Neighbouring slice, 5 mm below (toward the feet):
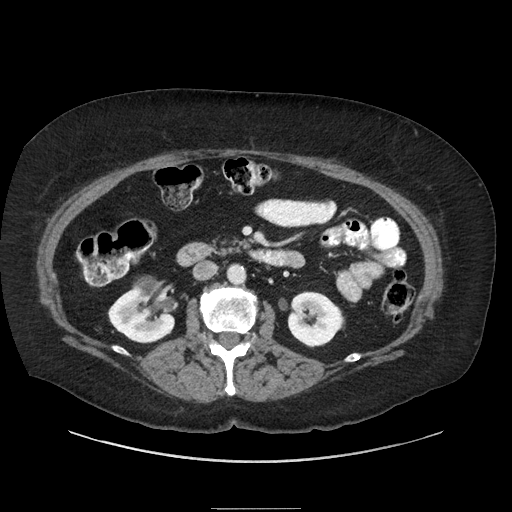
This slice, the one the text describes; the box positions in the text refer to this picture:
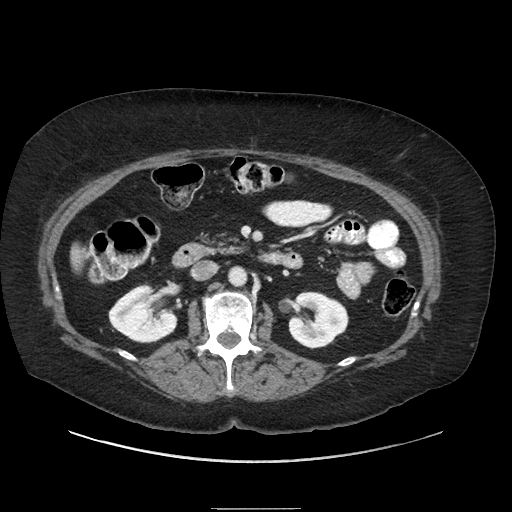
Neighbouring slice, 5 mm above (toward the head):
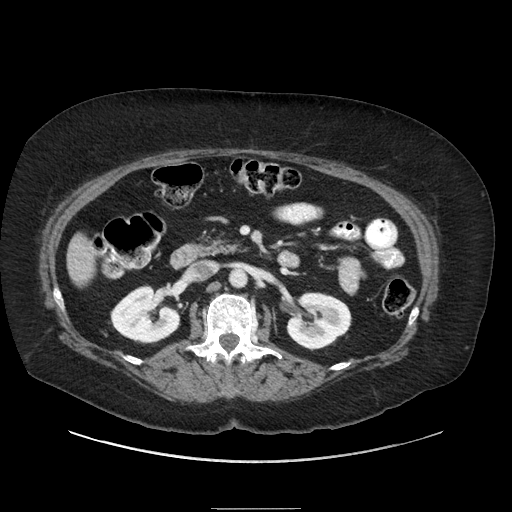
Contrast-enhanced abdominal CT, axial slice 122 of 186 (counted from the lowest slice); tube voltage 120 kVp, convolution kernel STANDARD; slices 2.50 mm thick, 0.850 mm per pixel.
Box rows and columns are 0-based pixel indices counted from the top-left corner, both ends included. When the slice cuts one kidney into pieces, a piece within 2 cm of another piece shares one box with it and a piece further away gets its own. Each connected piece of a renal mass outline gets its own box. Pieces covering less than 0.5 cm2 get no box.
Boxed on this slice (two kidney boxes and one renal mass box), listed by box centre from the image's left to its right: (1) Right kidney at rows 283–343, columns 108–177 (outlined area 2,478 px, about 17.9 cm2). (2) Box rows 293–313, columns 137–163: right renal mass (outlined area 416 px, about 3.0 cm2). (3) Left kidney at rows 291–348, columns 288–348 (outlined area 2,648 px, about 19.1 cm2). This slice lies near the end of the right renal mass toward the head; the slices 5 mm below and 5 mm above it are shown too, and the boxes mark positions on this slice only.